Axial slice 309 of 541 of a contrast-enhanced abdominal CT in the arterial phase (slice 1 is the lowest), 120 kVp, kernel I30f; 1.00 mm slice thickness and 0.834 mm pixels.
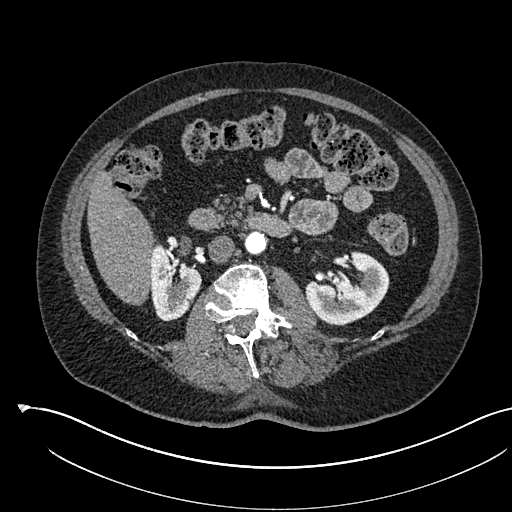
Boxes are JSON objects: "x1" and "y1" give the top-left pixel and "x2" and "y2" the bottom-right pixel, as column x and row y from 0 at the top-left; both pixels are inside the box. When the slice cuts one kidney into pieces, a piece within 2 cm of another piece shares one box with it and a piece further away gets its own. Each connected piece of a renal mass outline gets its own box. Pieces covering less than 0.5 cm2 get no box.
Two kidney boxes on this slice; by box centre, from the image's left to its right: (1) Right kidney at {"x1": 149, "y1": 242, "x2": 201, "y2": 321} (outlined area 2,864 px, about 19.9 cm2). (2) Box {"x1": 305, "y1": 250, "x2": 389, "y2": 325}: left kidney (outlined area 4,198 px, about 29.2 cm2). No renal mass is outlined on this slice.